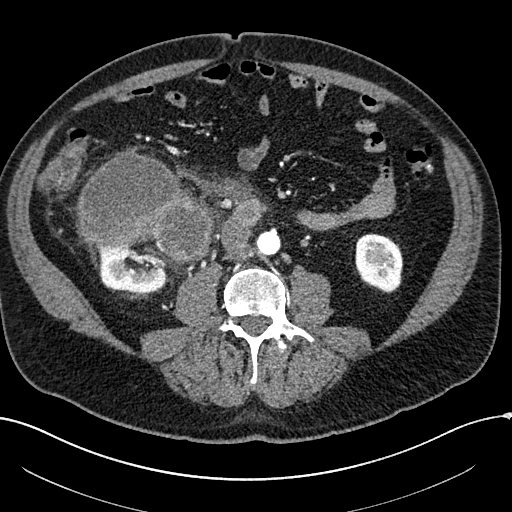
Arterial-phase contrast-enhanced abdominal CT, axial slice 59 of 304 (counted from the lowest slice); tube voltage 100 kVp, convolution kernel I30f; slices 2.00 mm thick, 0.809 mm per pixel.
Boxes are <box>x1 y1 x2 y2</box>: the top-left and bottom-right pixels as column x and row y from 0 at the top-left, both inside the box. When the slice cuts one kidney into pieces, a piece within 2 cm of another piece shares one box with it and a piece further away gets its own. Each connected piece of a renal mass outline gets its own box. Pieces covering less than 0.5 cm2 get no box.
Two kidney boxes and one renal mass box on this slice; by box centre, from the image's left to its right: (1) Right kidney: <box>96 244 172 293</box> (outlined area 2,758 px, about 18.0 cm2). (2) At <box>78 149 212 264</box>: right renal mass (outlined area 10,549 px, about 69.0 cm2). (3) Left kidney: <box>355 233 402 293</box> (outlined area 2,304 px, about 15.1 cm2).